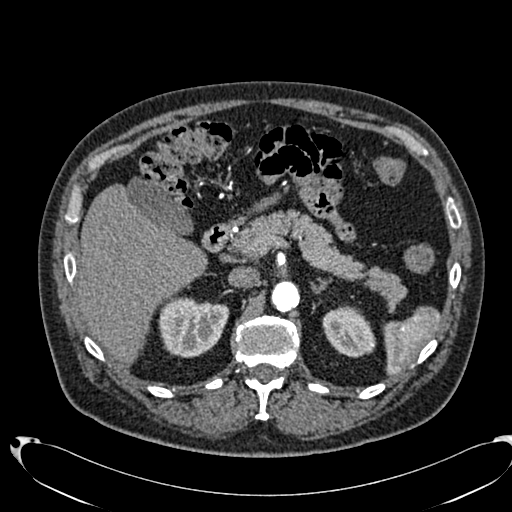
One axial slice (475 of 553, counting up from the lowest) of an arterial-phase abdominal CT acquired with 120 kVp, kernel B20f; each pixel is 0.773 mm and the slice is 1.00 mm thick.
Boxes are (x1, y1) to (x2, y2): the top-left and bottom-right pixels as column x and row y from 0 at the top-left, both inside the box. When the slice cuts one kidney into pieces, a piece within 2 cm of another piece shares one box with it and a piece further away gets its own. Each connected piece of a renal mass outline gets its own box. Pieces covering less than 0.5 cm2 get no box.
Two kidney boxes on this slice; by box centre, from the image's left to its right: (1) Box (158, 297) to (229, 357): right kidney (outlined area 3,284 px, about 19.6 cm2). (2) Box (322, 306) to (376, 357): left kidney (outlined area 2,051 px, about 12.3 cm2). No renal mass is outlined on this slice.